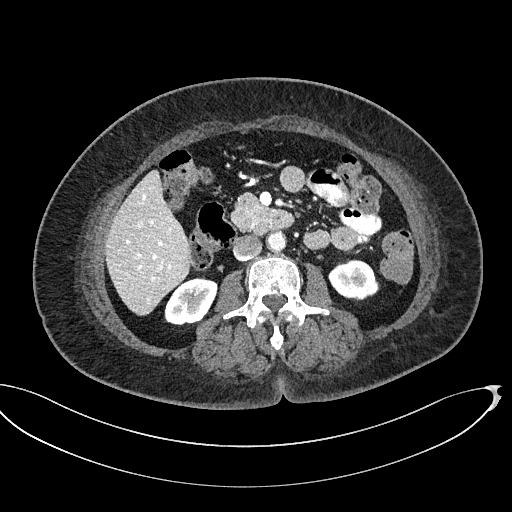
Axial slice 276 of 439 of a contrast-enhanced abdominal CT (slice 1 is the lowest), 100 kVp, kernel I40f; 2.00 mm slice thickness and 0.850 mm pixels.
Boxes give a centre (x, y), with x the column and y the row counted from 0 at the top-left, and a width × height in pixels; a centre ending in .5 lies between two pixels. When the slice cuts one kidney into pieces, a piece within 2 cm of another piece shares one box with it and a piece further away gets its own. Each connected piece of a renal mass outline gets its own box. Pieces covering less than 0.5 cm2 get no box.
Two boxes on this slice (two kidney boxes), listed by box centre from the image's left to its right. (1) Right kidney, box centre (190.5, 301), 54 × 49 pixels (outlined area 1,878 px, about 13.6 cm2). (2) Left kidney, box centre (353.5, 280), 52 × 41 pixels (outlined area 1,576 px, about 11.4 cm2). No renal mass is outlined on this slice.